Abdominal CT with intravenous contrast, axial plane, 140 kVp, kernel I41f. Slice 29/69 from the bottom of the scan; thickness 3.00 mm; pixel size 0.736 mm.
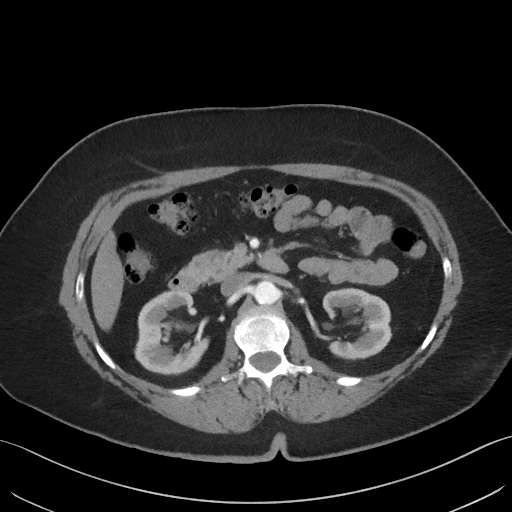
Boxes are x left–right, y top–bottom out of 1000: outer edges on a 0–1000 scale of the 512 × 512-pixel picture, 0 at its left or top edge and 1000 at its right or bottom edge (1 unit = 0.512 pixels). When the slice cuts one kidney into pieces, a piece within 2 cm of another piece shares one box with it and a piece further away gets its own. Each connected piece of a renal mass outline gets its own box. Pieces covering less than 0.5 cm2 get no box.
Two boxes on this slice (two kidney boxes), listed by box centre from the image's left to its right. (1) Right kidney, box x 262–410, y 564–732 out of 1000 (outlined area 4,340 px, about 23.5 cm2). (2) Left kidney, box x 629–768, y 563–705 out of 1000 (outlined area 3,417 px, about 18.5 cm2). No renal mass outline on this slice.